One axial slice (311 of 548, counting up from the lowest) of an arterial-phase abdominal CT acquired with 120 kVp, kernel I26f; each pixel is 0.852 mm and the slice is 1.00 mm thick.
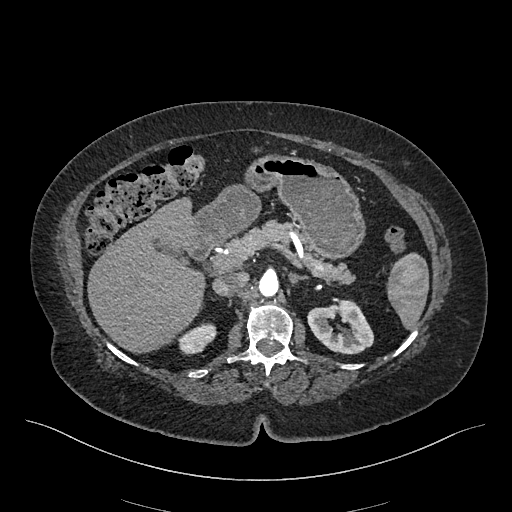
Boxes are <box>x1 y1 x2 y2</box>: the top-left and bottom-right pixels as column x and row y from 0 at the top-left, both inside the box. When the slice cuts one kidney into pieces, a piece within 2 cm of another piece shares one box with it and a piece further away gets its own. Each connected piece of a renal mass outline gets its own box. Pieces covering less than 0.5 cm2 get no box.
Boxed on this slice (two kidney boxes), listed by box centre from the image's left to its right: (1) At <box>178 323 217 354</box>: right kidney (outlined area 837 px, about 6.1 cm2). (2) At <box>307 298 373 354</box>: left kidney (outlined area 2,549 px, about 18.5 cm2). No renal mass outline on this slice.